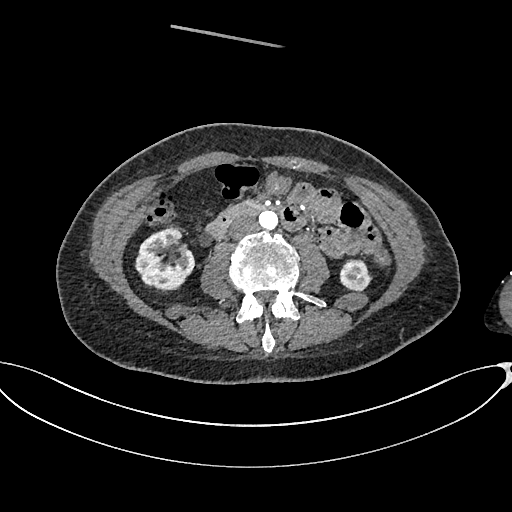
One axial slice (321 of 665, counting up from the lowest) of an arterial-phase abdominal CT acquired with 100 kVp, kernel I26f; each pixel is 0.828 mm and the slice is 1.00 mm thick.
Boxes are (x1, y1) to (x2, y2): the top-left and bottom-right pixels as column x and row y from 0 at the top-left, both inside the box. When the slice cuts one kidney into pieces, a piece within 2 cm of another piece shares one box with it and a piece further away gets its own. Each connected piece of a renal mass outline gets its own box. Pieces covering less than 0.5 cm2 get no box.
Two boxes on this slice (two kidney boxes), listed by box centre from the image's left to its right. (1) Right kidney from (134, 228) to (194, 293) (outlined area 2,836 px, about 19.4 cm2). (2) Left kidney, box (339, 259) to (372, 291) (outlined area 822 px, about 5.6 cm2). This slice carries no renal mass outline.